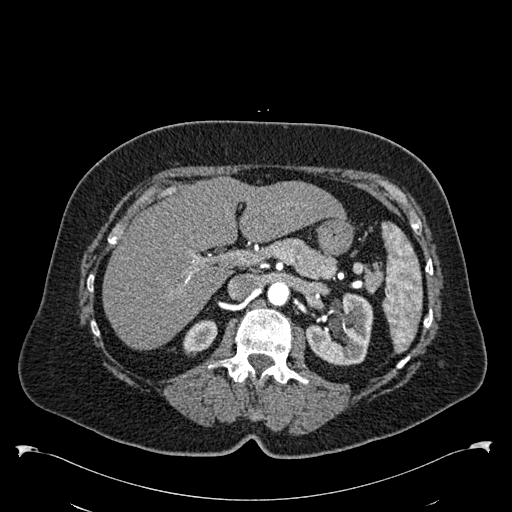
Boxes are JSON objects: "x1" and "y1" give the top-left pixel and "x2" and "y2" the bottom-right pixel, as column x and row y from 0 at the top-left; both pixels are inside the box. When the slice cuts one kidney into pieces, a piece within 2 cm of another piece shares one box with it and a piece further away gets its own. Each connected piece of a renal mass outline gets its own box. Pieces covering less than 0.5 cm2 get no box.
This is axial slice 375 of 538 (slice 1 is the lowest) of an arterial-phase abdominal CT with contrast; each pixel is 0.811 mm and the slice is 1.00 mm thick. Boxed on this slice (two kidney boxes), listed by box centre from the image's left to its right: (1) Right kidney, box {"x1": 183, "y1": 320, "x2": 217, "y2": 356} (outlined area 891 px, about 5.9 cm2). (2) Left kidney at {"x1": 306, "y1": 293, "x2": 373, "y2": 365} (outlined area 3,518 px, about 23.1 cm2). No renal mass is outlined on this slice.
Acquired at 120 kVp and reconstructed with the B30f kernel.